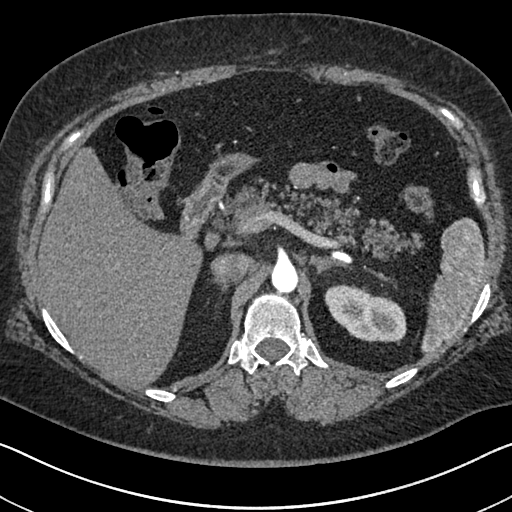
Arterial-phase contrast-enhanced abdominal CT, axial slice 484 of 591 (counted from the lowest slice); tube voltage 140 kVp, convolution kernel I30f; slices 1.00 mm thick, 0.703 mm per pixel.
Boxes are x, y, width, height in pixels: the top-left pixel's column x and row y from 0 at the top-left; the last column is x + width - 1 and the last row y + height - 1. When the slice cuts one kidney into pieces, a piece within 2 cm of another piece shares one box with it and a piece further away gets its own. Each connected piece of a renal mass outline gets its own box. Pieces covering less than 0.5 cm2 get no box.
Left kidney at x 324, y 284, width 83, height 61 (outlined area 3,417 px, about 16.9 cm2). No renal mass outline on this slice.